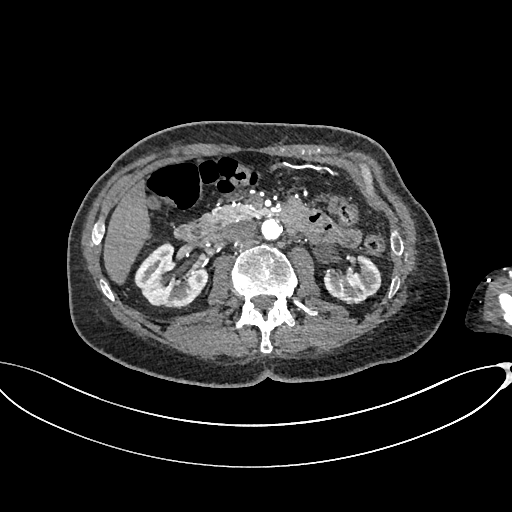
Axial slice 390 of 665 of a contrast-enhanced abdominal CT in the arterial phase (slice 1 is the lowest), 100 kVp, kernel I26f; 1.00 mm slice thickness and 0.828 mm pixels.
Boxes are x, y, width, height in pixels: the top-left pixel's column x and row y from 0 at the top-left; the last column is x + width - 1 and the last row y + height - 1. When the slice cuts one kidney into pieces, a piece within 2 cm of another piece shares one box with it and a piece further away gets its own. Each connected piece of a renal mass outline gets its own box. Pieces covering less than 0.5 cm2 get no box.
Boxed on this slice (two kidney boxes), listed by box centre from the image's left to its right: (1) Right kidney, box x 134, y 243, width 75, height 66 (outlined area 3,350 px, about 23.0 cm2). (2) Left kidney, box x 324, y 254, width 58, height 51 (outlined area 1,982 px, about 13.6 cm2). No renal mass outline on this slice.